Axial slice 320 of 581 of a contrast-enhanced abdominal CT in the arterial phase (slice 1 is the lowest), 120 kVp, kernel B30f; 1.00 mm slice thickness and 0.713 mm pixels.
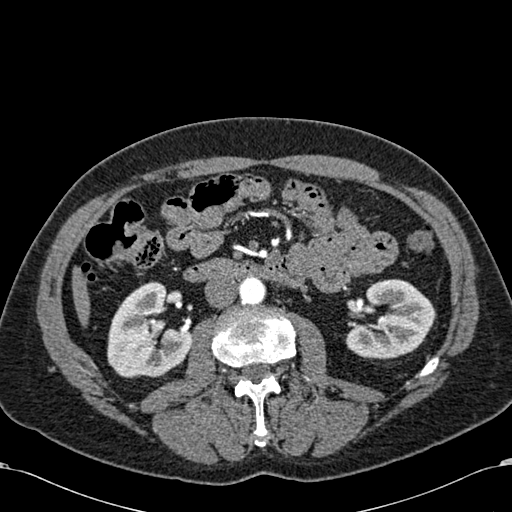
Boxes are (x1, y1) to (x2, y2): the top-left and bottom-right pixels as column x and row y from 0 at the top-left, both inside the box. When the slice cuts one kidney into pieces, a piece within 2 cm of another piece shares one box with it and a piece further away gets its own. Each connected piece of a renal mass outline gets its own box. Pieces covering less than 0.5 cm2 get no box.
Two boxes on this slice (two kidney boxes), listed by box centre from the image's left to its right. (1) Box (107, 282) to (191, 378): right kidney (outlined area 5,716 px, about 29.0 cm2). (2) Box (345, 279) to (435, 359): left kidney (outlined area 5,065 px, about 25.7 cm2). This slice carries no renal mass outline.